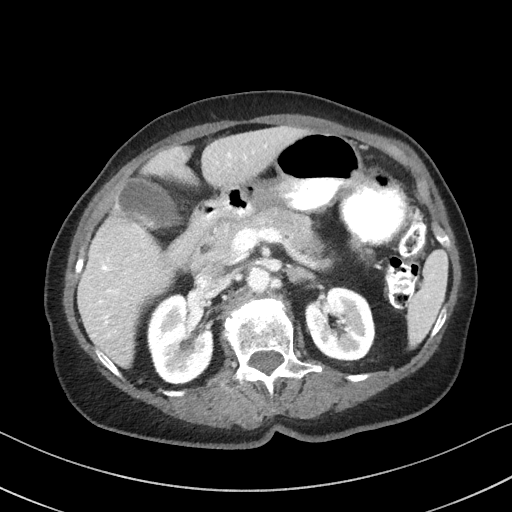
One axial slice (62 of 92, counting up from the lowest) of a contrast-enhanced abdominal CT acquired with 100 kVp, kernel I41f; each pixel is 0.684 mm and the slice is 3.00 mm thick.
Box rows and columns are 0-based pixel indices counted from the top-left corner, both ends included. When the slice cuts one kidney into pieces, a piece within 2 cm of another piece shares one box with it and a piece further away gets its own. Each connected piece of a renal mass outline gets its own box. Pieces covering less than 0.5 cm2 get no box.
Boxed on this slice (two kidney boxes), listed by box centre from the image's left to its right: (1) Right kidney, box rows 294–385, columns 147–213 (outlined area 4,640 px, about 21.7 cm2). (2) Left kidney at rows 287–364, columns 305–375 (outlined area 4,154 px, about 19.4 cm2). No renal mass outline on this slice.